Arterial-phase contrast-enhanced abdominal CT, axial slice 383 of 553 (counted from the lowest slice); tube voltage 120 kVp, convolution kernel B20f; slices 1.00 mm thick, 0.773 mm per pixel.
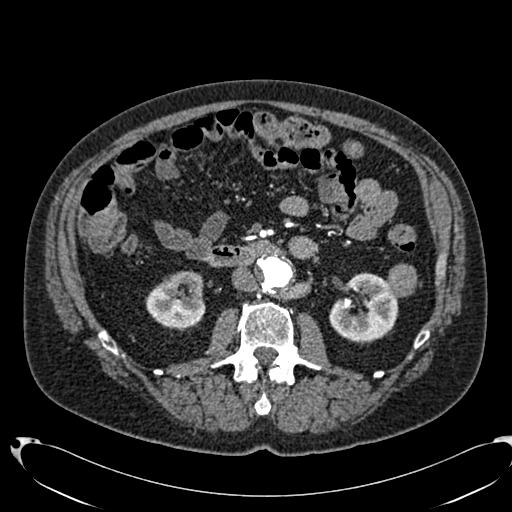
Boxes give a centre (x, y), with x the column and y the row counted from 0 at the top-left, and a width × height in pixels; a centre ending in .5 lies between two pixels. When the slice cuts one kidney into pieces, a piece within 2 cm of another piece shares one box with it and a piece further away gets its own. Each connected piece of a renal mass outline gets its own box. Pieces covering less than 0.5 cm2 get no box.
Two kidney boxes and one renal mass box on this slice; by box centre, from the image's left to its right: (1) Right kidney, box centre (175, 300.5), 61 × 62 pixels (outlined area 2,691 px, about 16.1 cm2). (2) Left kidney, box centre (363.5, 308), 70 × 73 pixels (outlined area 3,460 px, about 20.7 cm2). (3) Box centre (401, 280), 33 × 35 pixels: left renal mass (outlined area 844 px, about 5.0 cm2).